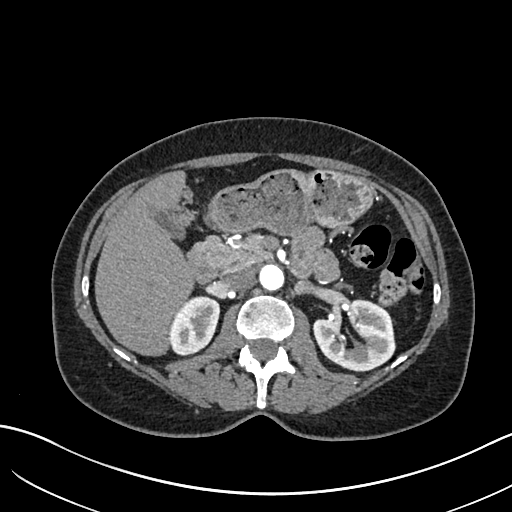
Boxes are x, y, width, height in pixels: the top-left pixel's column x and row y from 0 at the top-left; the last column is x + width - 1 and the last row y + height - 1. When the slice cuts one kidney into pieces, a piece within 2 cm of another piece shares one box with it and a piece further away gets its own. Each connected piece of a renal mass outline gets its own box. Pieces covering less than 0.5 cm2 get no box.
Slice 400/683 of a contrast-enhanced abdominal CT in the arterial phase, counting up from the lowest; pixel size 0.738 mm, slice thickness 1.00 mm. Two boxes on this slice (two kidney boxes), listed by box centre from the image's left to its right. (1) Right kidney, box x 170, y 296, width 51, height 60 (outlined area 2,152 px, about 11.7 cm2). (2) Left kidney at x 312, y 299, width 84, height 73 (outlined area 4,296 px, about 23.4 cm2). No renal mass is outlined on this slice.
Acquired at 120 kVp and reconstructed with the I30f kernel.